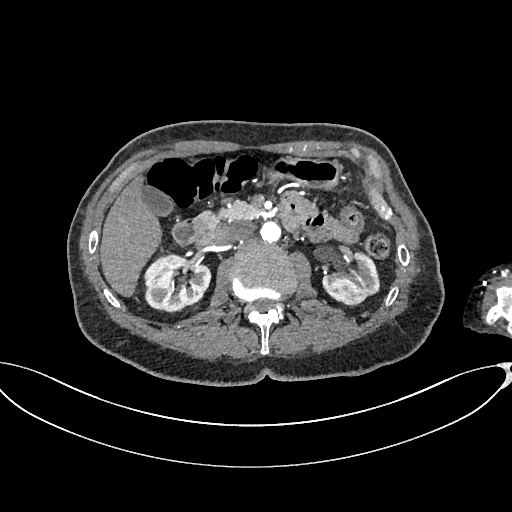
Axial slice 407 of 665 of a contrast-enhanced abdominal CT in the arterial phase (slice 1 is the lowest), 100 kVp, kernel I26f; 1.00 mm slice thickness and 0.828 mm pixels.
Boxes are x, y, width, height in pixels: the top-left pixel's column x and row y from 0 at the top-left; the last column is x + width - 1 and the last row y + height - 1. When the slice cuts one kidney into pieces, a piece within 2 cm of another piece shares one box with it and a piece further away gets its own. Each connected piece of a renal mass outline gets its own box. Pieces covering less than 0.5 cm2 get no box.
Two kidney boxes on this slice; by box centre, from the image's left to its right: (1) Right kidney, box x 143, y 253, width 69, height 60 (outlined area 3,112 px, about 21.3 cm2). (2) Left kidney, box x 322, y 251, width 59, height 56 (outlined area 2,202 px, about 15.1 cm2). No renal mass outline on this slice.